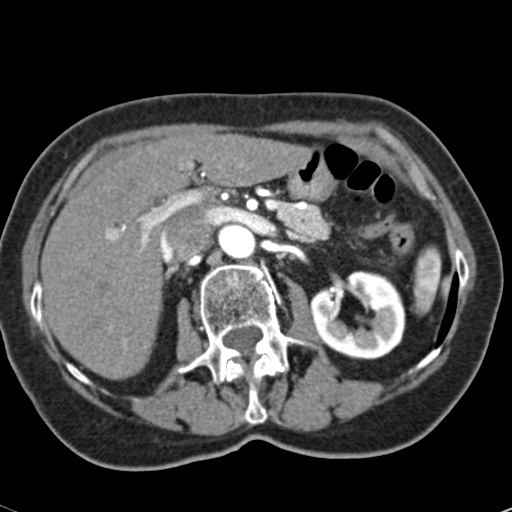
Arterial-phase contrast-enhanced abdominal CT, axial slice 38 of 53 (counted from the lowest slice); tube voltage 120 kVp, convolution kernel B30f; slices 3.00 mm thick, 0.547 mm per pixel.
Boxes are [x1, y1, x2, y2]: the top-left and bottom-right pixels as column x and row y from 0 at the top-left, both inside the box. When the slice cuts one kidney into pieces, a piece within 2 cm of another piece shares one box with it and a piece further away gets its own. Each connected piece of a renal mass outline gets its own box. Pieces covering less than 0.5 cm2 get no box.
Left kidney, box [309, 270, 405, 359] (outlined area 5,932 px, about 17.7 cm2). No renal mass is outlined on this slice.